One axial slice (330 of 683, counting up from the lowest) of an arterial-phase abdominal CT acquired with 120 kVp, kernel I30f; each pixel is 0.738 mm and the slice is 1.00 mm thick.
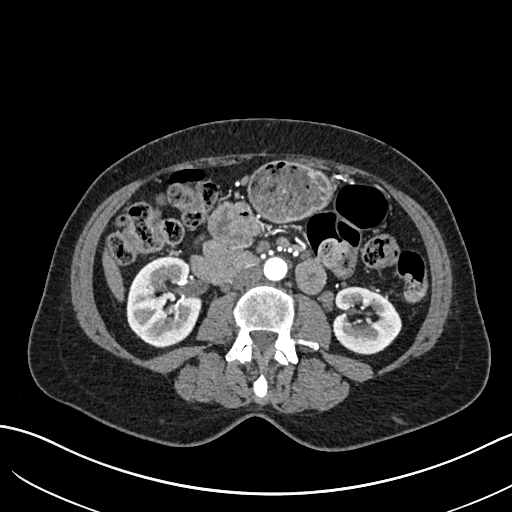
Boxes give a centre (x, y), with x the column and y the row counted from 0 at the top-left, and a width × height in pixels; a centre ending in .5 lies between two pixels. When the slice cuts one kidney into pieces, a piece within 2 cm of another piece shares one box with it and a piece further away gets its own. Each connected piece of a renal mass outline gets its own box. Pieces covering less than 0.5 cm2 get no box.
Two boxes on this slice (two kidney boxes), listed by box centre from the image's left to its right. (1) Right kidney, box centre (163.5, 301), 76 × 93 pixels (outlined area 5,327 px, about 29.0 cm2). (2) Box centre (366, 320), 71 × 69 pixels: left kidney (outlined area 3,512 px, about 19.1 cm2). This slice carries no renal mass outline.